Axial slice 288 of 445 of a contrast-enhanced abdominal CT in the arterial phase (slice 1 is the lowest), 120 kVp, kernel STANDARD; 1.25 mm slice thickness and 0.863 mm pixels.
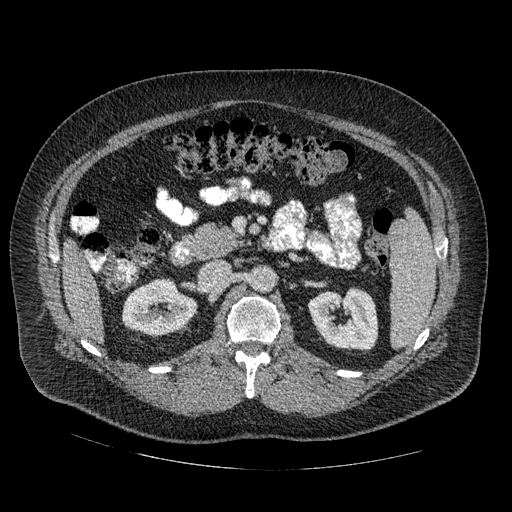
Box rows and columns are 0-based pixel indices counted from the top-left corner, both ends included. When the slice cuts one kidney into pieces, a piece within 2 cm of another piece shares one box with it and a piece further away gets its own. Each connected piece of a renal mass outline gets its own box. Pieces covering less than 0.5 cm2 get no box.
Two boxes on this slice (two kidney boxes), listed by box centre from the image's left to its right. (1) Box rows 279–336, columns 121–197: right kidney (outlined area 3,173 px, about 23.6 cm2). (2) Left kidney at rows 287–350, columns 307–378 (outlined area 3,423 px, about 25.5 cm2). This slice carries no renal mass outline.